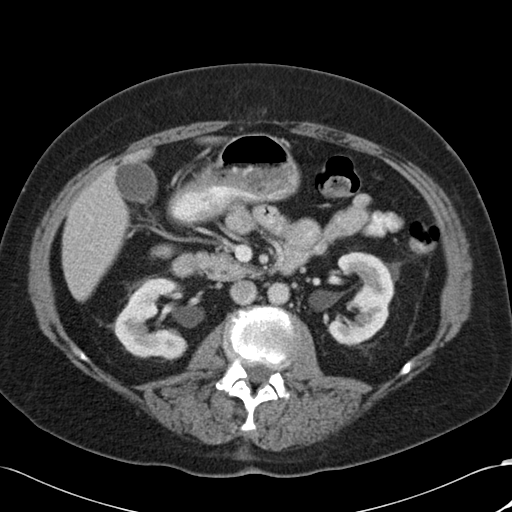
Arterial-phase contrast-enhanced abdominal CT, axial slice 59 of 88 (counted from the lowest slice); tube voltage 120 kVp, convolution kernel B30f; slices 5.00 mm thick, 0.691 mm per pixel.
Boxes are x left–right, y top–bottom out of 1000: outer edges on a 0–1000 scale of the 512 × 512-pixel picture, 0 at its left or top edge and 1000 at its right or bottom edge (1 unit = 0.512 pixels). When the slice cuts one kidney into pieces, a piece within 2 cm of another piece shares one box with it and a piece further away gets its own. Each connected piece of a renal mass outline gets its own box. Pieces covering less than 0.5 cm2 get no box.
Two kidney boxes on this slice; by box centre, from the image's left to its right: (1) Right kidney, box x 223–369, y 541–705 out of 1000 (outlined area 4,312 px, about 20.6 cm2). (2) Box x 641–771, y 490–678 out of 1000: left kidney (outlined area 4,194 px, about 20.0 cm2). No renal mass outline on this slice.